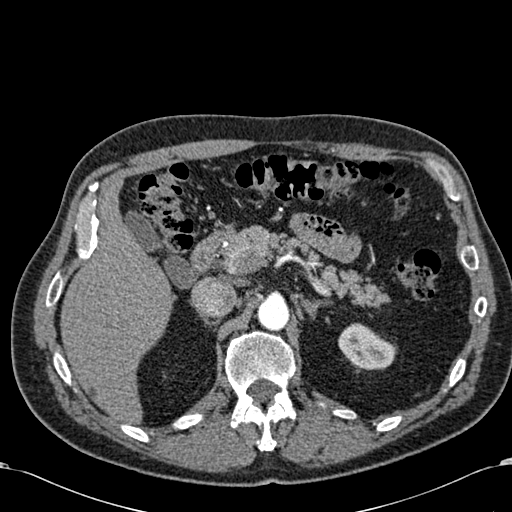
Axial slice 434 of 581 of a contrast-enhanced abdominal CT in the arterial phase (slice 1 is the lowest), 120 kVp, kernel B30f; 1.00 mm slice thickness and 0.713 mm pixels.
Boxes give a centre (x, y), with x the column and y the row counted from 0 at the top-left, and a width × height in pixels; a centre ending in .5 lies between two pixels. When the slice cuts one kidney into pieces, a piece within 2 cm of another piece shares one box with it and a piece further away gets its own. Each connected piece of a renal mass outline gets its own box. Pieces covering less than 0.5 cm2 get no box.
Left kidney, box centre (367.5, 346.5), 60 × 48 pixels (outlined area 1,945 px, about 9.9 cm2). This slice carries no renal mass outline.